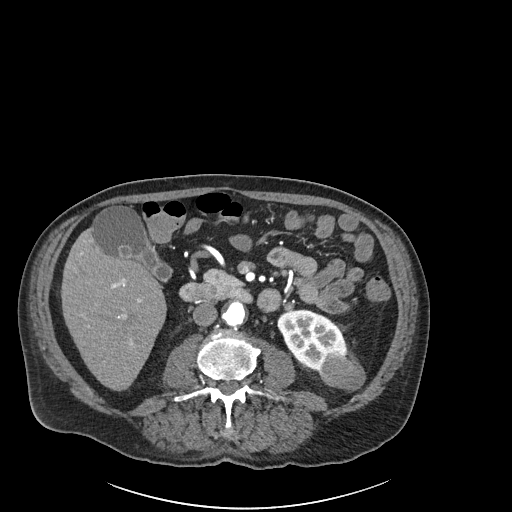
One axial slice (81 of 261, counting up from the lowest) of an arterial-phase abdominal CT acquired with 120 kVp, kernel I30f; each pixel is 0.939 mm and the slice is 2.00 mm thick.
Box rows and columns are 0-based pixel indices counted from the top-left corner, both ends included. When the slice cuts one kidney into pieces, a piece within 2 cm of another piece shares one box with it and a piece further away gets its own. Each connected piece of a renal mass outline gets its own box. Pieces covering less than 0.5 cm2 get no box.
Boxed on this slice (one kidney box and one renal mass box), listed by box centre from the image's left to its right: (1) Left kidney at rows 309–375, columns 277–347 (outlined area 2,805 px, about 24.8 cm2). (2) Left renal mass, box rows 352–392, columns 320–365 (outlined area 1,309 px, about 11.6 cm2).